Contrast-enhanced abdominal CT, axial slice 66 of 88 (counted from the lowest slice); tube voltage 120 kVp, convolution kernel B; slices 5.00 mm thick, 0.865 mm per pixel.
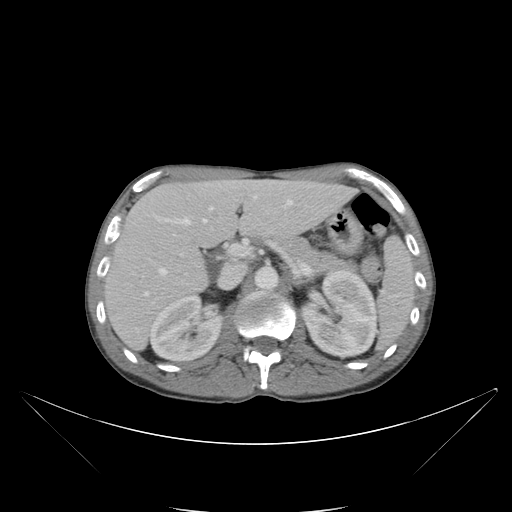
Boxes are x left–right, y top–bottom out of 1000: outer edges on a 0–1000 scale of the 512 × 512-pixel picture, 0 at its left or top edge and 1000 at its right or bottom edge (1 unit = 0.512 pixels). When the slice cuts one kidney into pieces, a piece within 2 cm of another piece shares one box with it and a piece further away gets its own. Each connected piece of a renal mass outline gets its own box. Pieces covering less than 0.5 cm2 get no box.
Boxed on this slice (two kidney boxes), listed by box centre from the image's left to its right: (1) Box x 291–436, y 572–709 out of 1000: right kidney (outlined area 3,747 px, about 28.1 cm2). (2) Left kidney at x 588–738, y 527–705 out of 1000 (outlined area 5,249 px, about 39.3 cm2). No renal mass outline on this slice.